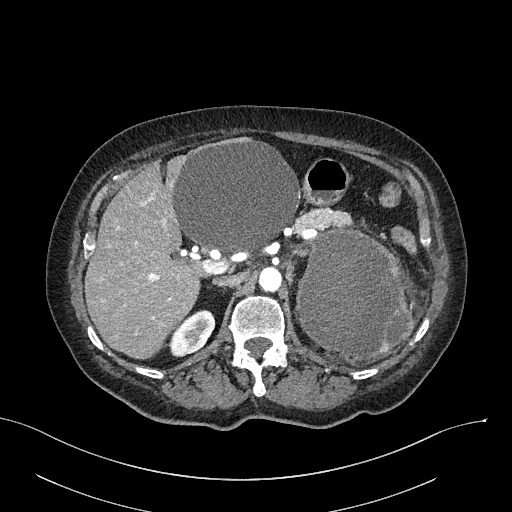
Arterial-phase contrast-enhanced abdominal CT, axial slice 176 of 316 (counted from the lowest slice); tube voltage 100 kVp, convolution kernel I40f; slices 2.00 mm thick, 0.840 mm per pixel.
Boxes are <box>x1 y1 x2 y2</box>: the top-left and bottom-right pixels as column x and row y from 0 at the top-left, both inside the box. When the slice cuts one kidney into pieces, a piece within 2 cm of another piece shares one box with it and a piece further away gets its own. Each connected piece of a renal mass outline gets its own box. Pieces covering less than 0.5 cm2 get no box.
Two boxes on this slice (one kidney box and one renal mass box), listed by box centre from the image's left to its right. (1) At <box>168 310 215 356</box>: right kidney (outlined area 1,480 px, about 10.4 cm2). (2) At <box>294 228 412 358</box>: left renal mass (outlined area 11,667 px, about 82.3 cm2); here it is more than 1 cm from any kidney outline, though on another slice the same outlined renal mass lies within 1 cm of the kidney.